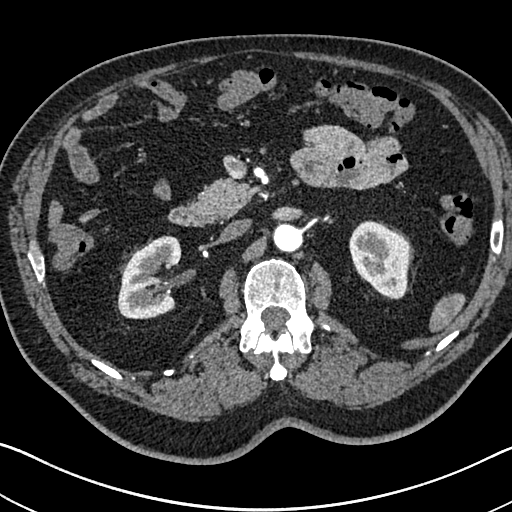
Abdominal CT with intravenous contrast, arterial phase, axial plane, 120 kVp, kernel I30f. Slice 440/705 from the bottom of the scan; thickness 1.00 mm; pixel size 0.703 mm.
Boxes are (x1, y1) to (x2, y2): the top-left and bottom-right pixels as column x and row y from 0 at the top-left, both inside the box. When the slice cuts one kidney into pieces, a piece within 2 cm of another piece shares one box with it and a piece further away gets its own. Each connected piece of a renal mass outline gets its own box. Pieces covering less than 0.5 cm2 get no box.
Two kidney boxes on this slice; by box centre, from the image's left to its right: (1) Box (117, 235) to (181, 319): right kidney (outlined area 3,946 px, about 19.5 cm2). (2) Box (349, 220) to (410, 298): left kidney (outlined area 3,658 px, about 18.1 cm2). This slice carries no renal mass outline.